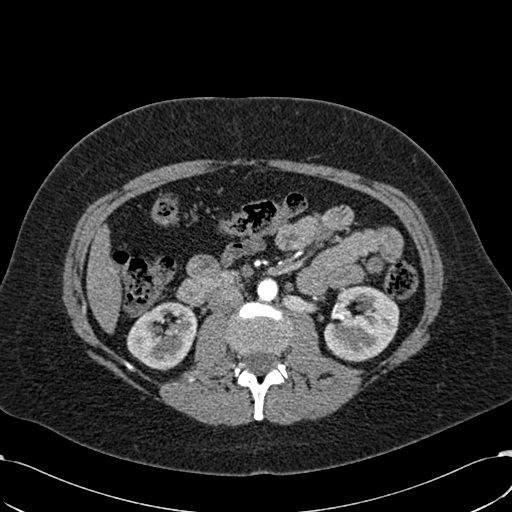
Axial slice 326 of 532 of a contrast-enhanced abdominal CT in the arterial phase (slice 1 is the lowest), 120 kVp, kernel B30f; 1.00 mm slice thickness and 0.713 mm pixels.
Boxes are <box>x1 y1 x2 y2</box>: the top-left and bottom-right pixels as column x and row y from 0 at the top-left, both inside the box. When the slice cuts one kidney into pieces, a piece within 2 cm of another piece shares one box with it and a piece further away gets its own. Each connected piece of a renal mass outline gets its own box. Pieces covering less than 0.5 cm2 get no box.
Two kidney boxes on this slice; by box centre, from the image's left to its right: (1) Right kidney at <box>126 302 197 370</box> (outlined area 3,523 px, about 17.9 cm2). (2) Left kidney at <box>323 286 399 361</box> (outlined area 4,351 px, about 22.1 cm2). This slice carries no renal mass outline.